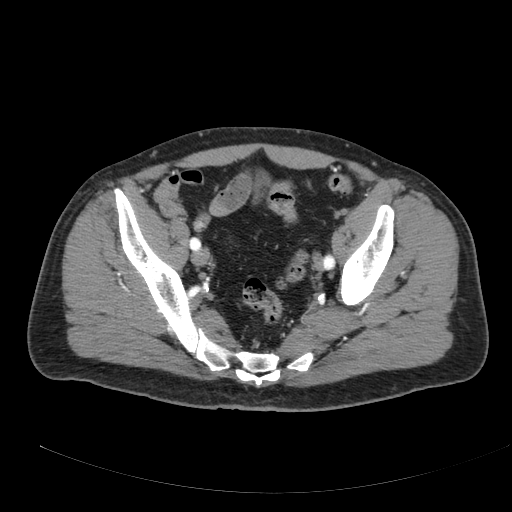
Axial slice 47 of 178 of a contrast-enhanced abdominal CT (slice 1 is the lowest), 120 kVp, kernel B; 3.00 mm slice thickness and 0.818 mm pixels.
Outside the outlined region: no kidney outline and no renal mass outline on this slice. The scan's outlines cover only kidneys and renal masses; no other organ is outlined.